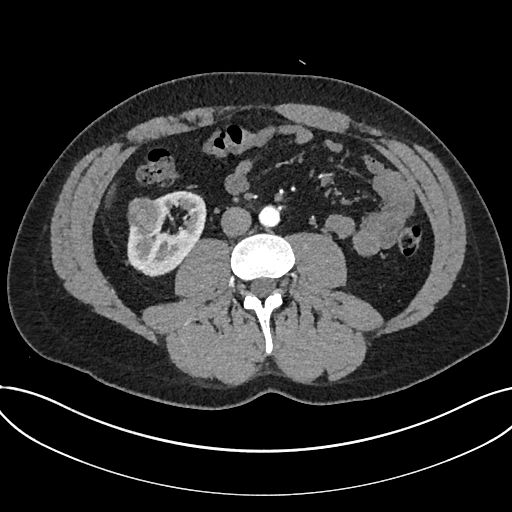
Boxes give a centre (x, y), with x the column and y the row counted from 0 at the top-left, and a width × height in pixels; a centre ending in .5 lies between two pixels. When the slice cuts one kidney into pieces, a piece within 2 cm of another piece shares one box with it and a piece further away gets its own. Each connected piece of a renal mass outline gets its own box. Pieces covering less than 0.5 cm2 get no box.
This is axial slice 327 of 735 (slice 1 is the lowest) of an arterial-phase abdominal CT with contrast; each pixel is 0.789 mm and the slice is 1.00 mm thick. Two boxes on this slice (one kidney box and one renal mass box), listed by box centre from the image's left to its right. (1) Renal mass, box centre (145, 215.5), 37 × 38 pixels (outlined area 1,100 px, about 6.8 cm2). (2) Kidney in a box with centre (166.5, 233.5), 80 × 88 pixels (outlined area 3,932 px, about 24.5 cm2).
Tube voltage 120 kVp; convolution kernel I30f.